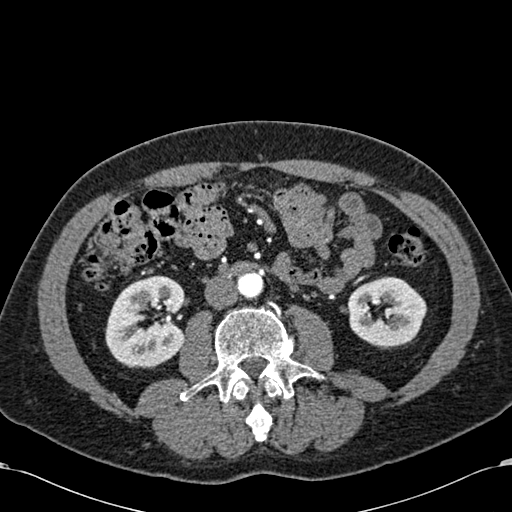
One axial slice (281 of 581, counting up from the lowest) of an arterial-phase abdominal CT acquired with 120 kVp, kernel B30f; each pixel is 0.713 mm and the slice is 1.00 mm thick.
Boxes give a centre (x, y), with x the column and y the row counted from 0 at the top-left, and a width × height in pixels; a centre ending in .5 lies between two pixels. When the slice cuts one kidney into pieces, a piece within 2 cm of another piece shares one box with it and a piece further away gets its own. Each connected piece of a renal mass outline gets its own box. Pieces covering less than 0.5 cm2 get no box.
Two boxes on this slice (two kidney boxes), listed by box centre from the image's left to its right. (1) Box centre (145, 321.5), 81 × 94 pixels: right kidney (outlined area 5,736 px, about 29.2 cm2). (2) Left kidney, box centre (386.5, 312.5), 82 × 74 pixels (outlined area 4,261 px, about 21.7 cm2). No renal mass is outlined on this slice.